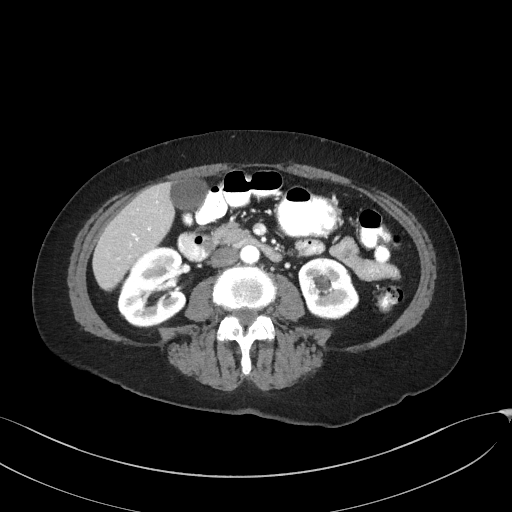
Axial slice 81 of 129 of a contrast-enhanced abdominal CT in the arterial phase (slice 1 is the lowest), 100 kVp, kernel I41f; 3.00 mm slice thickness and 0.779 mm pixels.
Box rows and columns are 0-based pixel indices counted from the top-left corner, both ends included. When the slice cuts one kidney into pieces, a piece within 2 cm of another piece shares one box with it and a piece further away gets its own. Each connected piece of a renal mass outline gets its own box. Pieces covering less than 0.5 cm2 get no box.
Two kidney boxes on this slice; by box centre, from the image's left to its right: (1) Right kidney at rows 247–327, columns 117–187 (outlined area 4,127 px, about 25.1 cm2). (2) Box rows 256–319, columns 298–359: left kidney (outlined area 2,922 px, about 17.7 cm2). No renal mass outline on this slice.